Contrast-enhanced abdominal CT, axial slice 82 of 186 (counted from the lowest slice); tube voltage 120 kVp, convolution kernel STANDARD; slices 2.50 mm thick, 0.850 mm per pixel.
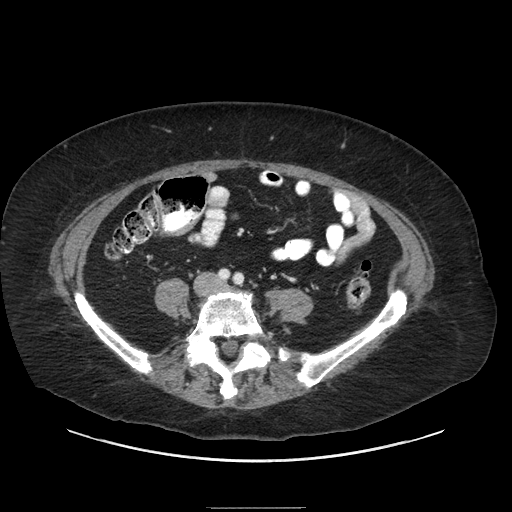
Outside the outlined region: no kidney outline and no renal mass outline on this slice. The scan's outlines cover only kidneys and renal masses; no other organ is outlined.